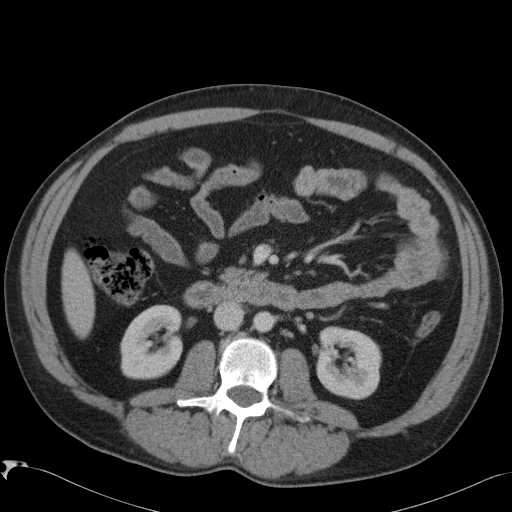
Arterial-phase contrast-enhanced abdominal CT, axial slice 52 of 88 (counted from the lowest slice); tube voltage 120 kVp, convolution kernel B41f; slices 5.00 mm thick, 0.723 mm per pixel.
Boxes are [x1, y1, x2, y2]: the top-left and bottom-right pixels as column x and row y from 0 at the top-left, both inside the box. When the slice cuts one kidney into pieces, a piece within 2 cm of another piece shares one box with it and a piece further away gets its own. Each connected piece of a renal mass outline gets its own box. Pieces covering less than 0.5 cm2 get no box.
Two boxes on this slice (two kidney boxes), listed by box centre from the image's left to its right. (1) Box [120, 304, 183, 379]: right kidney (outlined area 3,798 px, about 19.8 cm2). (2) Box [315, 326, 381, 399]: left kidney (outlined area 3,893 px, about 20.3 cm2). This slice carries no renal mass outline.